One axial slice (26 of 109, counting up from the lowest) of a contrast-enhanced abdominal CT acquired with 120 kVp, kernel I30f; each pixel is 0.742 mm and the slice is 3.00 mm thick.
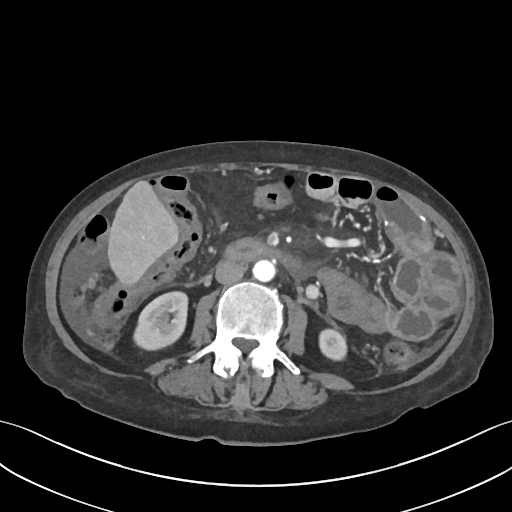
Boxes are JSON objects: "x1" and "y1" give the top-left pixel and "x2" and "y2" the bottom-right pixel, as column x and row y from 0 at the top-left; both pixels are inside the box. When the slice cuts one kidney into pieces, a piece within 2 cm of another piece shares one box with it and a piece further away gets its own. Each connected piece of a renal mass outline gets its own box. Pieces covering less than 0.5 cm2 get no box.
Two boxes on this slice (two kidney boxes), listed by box centre from the image's left to its right. (1) Right kidney, box {"x1": 132, "y1": 290, "x2": 188, "y2": 351} (outlined area 2,520 px, about 13.9 cm2). (2) Left kidney, box {"x1": 318, "y1": 327, "x2": 347, "y2": 361} (outlined area 814 px, about 4.5 cm2). No renal mass is outlined on this slice.